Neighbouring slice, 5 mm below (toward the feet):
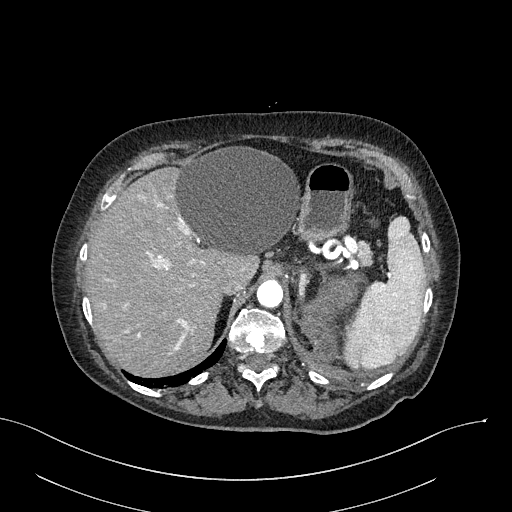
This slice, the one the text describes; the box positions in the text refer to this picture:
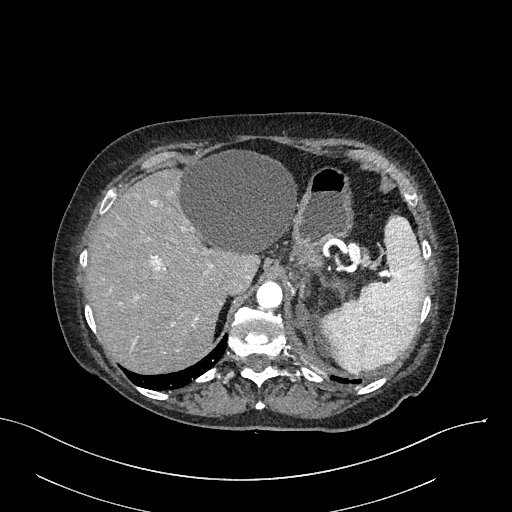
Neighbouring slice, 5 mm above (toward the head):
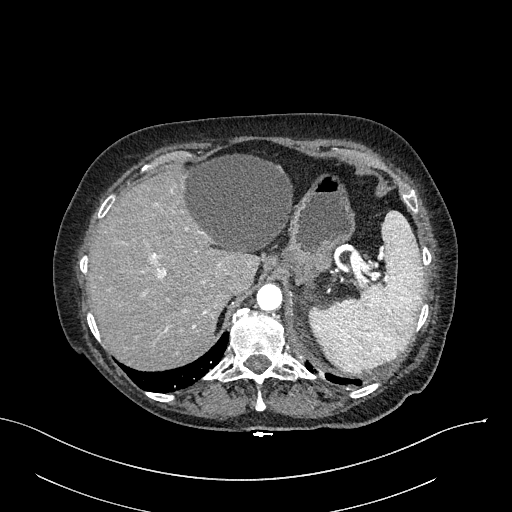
One axial slice (219 of 316, counting up from the lowest) of an arterial-phase abdominal CT acquired with 100 kVp, kernel I40f; each pixel is 0.840 mm and the slice is 2.00 mm thick.
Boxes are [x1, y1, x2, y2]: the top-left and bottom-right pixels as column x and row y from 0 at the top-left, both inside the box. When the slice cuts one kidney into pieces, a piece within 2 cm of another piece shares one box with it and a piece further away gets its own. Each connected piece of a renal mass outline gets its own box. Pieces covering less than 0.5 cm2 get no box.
Left renal mass, box [295, 302, 324, 350] (outlined area 790 px, about 5.6 cm2); this slice has no kidney outline, though on another slice the same outlined renal mass lies within 1 cm of the kidney. This slice is near the end of the left renal mass toward the head, so the slices 5 mm below and 5 mm above it are shown as well; the boxes refer to this slice only.